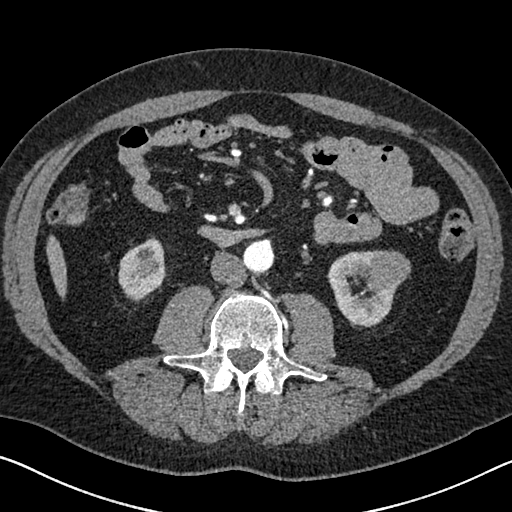
Abdominal CT with intravenous contrast, arterial phase, axial plane, 120 kVp, kernel I30f. Slice 313/626 from the bottom of the scan; thickness 1.00 mm; pixel size 0.703 mm.
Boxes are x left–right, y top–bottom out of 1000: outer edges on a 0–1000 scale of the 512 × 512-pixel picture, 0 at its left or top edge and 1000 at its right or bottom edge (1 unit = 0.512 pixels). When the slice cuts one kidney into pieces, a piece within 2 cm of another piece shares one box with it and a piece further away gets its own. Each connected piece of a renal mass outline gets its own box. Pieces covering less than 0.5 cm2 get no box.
Two kidney boxes and one renal mass box on this slice; by box centre, from the image's left to its right: (1) Right kidney, box x 230–324, y 461–590 out of 1000 (outlined area 2,228 px, about 11.0 cm2). (2) Left kidney at x 639–781, y 490–641 out of 1000 (outlined area 2,995 px, about 14.8 cm2). (3) Left renal mass, box x 703–803, y 488–563 out of 1000 (outlined area 1,523 px, about 7.5 cm2).